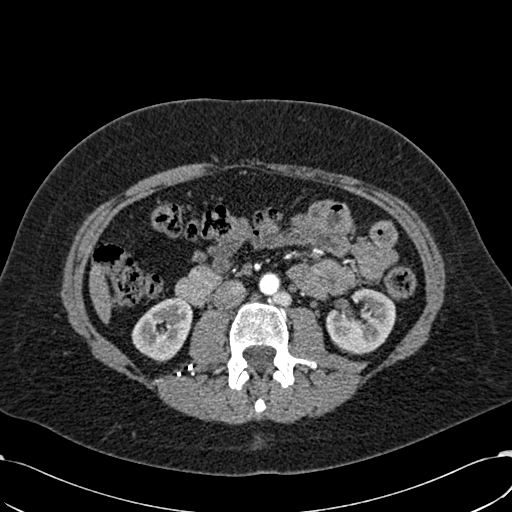
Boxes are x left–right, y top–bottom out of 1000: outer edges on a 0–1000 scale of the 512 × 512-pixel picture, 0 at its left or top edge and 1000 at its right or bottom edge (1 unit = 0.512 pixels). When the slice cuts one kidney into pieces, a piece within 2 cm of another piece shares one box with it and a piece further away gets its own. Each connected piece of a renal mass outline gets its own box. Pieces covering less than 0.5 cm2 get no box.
This is axial slice 305 of 532 (slice 1 is the lowest) of an arterial-phase abdominal CT with contrast; each pixel is 0.713 mm and the slice is 1.00 mm thick. Two kidney boxes on this slice; by box centre, from the image's left to its right: (1) Box x 256–377, y 580–709 out of 1000: right kidney (outlined area 2,817 px, about 14.3 cm2). (2) Left kidney, box x 637–775, y 563–693 out of 1000 (outlined area 3,359 px, about 17.1 cm2). No renal mass is outlined on this slice.
Scan settings: 120 kVp, B30f reconstruction kernel.